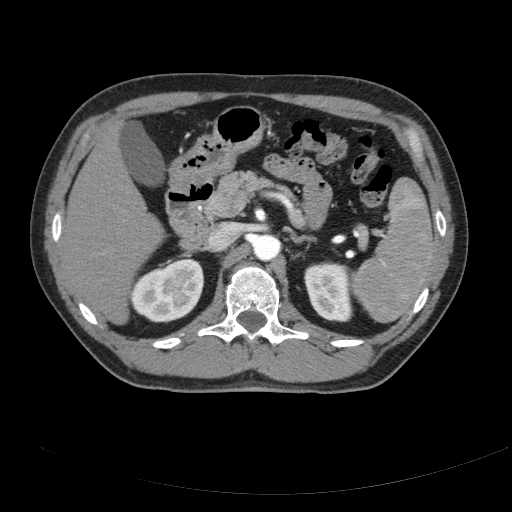
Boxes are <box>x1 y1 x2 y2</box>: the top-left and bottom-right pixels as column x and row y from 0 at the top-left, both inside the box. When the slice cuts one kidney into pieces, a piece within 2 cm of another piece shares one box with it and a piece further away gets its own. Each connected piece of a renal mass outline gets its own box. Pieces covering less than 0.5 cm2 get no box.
This is axial slice 121 of 178 (slice 1 is the lowest) of an abdominal CT with contrast; each pixel is 0.818 mm and the slice is 3.00 mm thick. Two kidney boxes on this slice; by box centre, from the image's left to its right: (1) Right kidney at <box>129 258 204 322</box> (outlined area 3,580 px, about 24.0 cm2). (2) Left kidney at <box>304 261 353 322</box> (outlined area 2,433 px, about 16.3 cm2). No renal mass outline on this slice.
Scan settings: 120 kVp, B reconstruction kernel.